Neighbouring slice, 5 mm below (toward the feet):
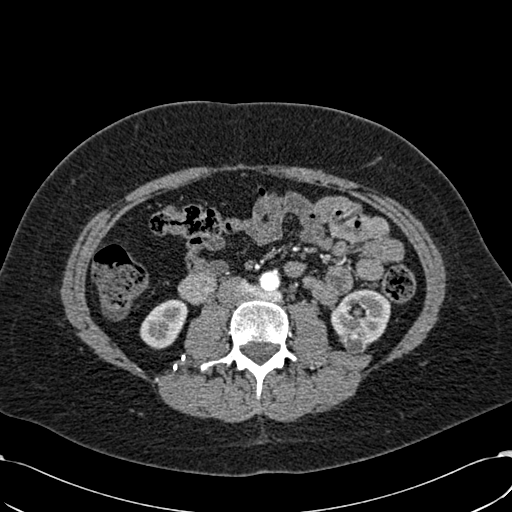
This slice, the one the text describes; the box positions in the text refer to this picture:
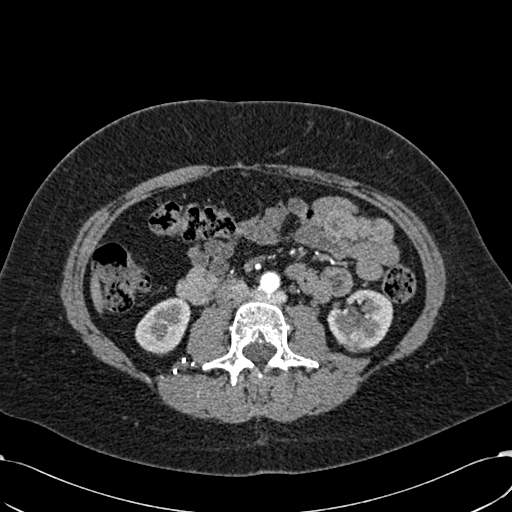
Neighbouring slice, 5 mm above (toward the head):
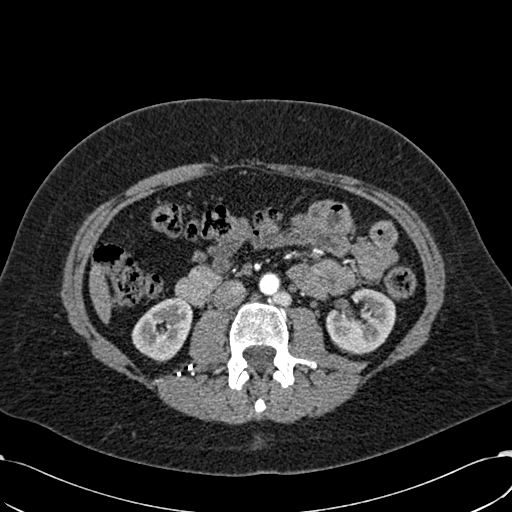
Arterial-phase contrast-enhanced abdominal CT, axial slice 295 of 532 (counted from the lowest slice); tube voltage 120 kVp, convolution kernel B30f; slices 1.00 mm thick, 0.713 mm per pixel.
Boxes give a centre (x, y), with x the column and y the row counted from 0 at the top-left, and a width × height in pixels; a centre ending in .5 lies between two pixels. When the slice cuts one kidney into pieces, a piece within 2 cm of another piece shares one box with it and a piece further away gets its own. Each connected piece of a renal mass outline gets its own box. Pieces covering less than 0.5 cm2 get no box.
Boxed on this slice (two kidney boxes and one renal mass box), listed by box centre from the image's left to its right: (1) Right kidney in a box with centre (162.5, 326), 56 × 59 pixels (outlined area 2,295 px, about 11.7 cm2). (2) Box centre (353.5, 345), 16 × 13 pixels: left renal mass (outlined area 175 px, about 0.9 cm2). (3) Box centre (360, 320), 67 × 63 pixels: left kidney (outlined area 2,859 px, about 14.5 cm2). This slice is near the end of the left renal mass toward the head, so the slices 5 mm below and 5 mm above it are shown as well; the boxes refer to this slice only.